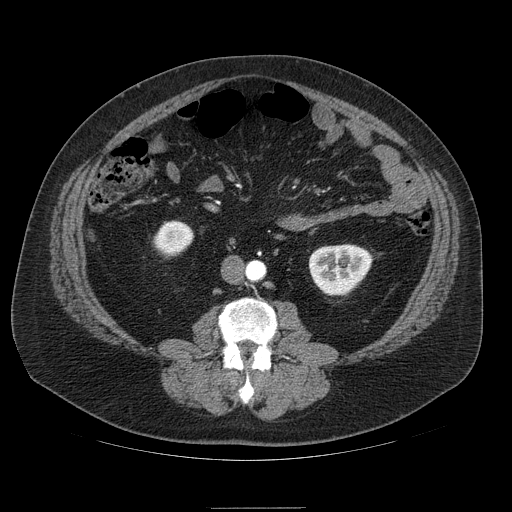
Abdominal CT with intravenous contrast, arterial phase, axial plane, 120 kVp, kernel STANDARD. Slice 29/121 from the bottom of the scan; thickness 2.50 mm; pixel size 0.861 mm.
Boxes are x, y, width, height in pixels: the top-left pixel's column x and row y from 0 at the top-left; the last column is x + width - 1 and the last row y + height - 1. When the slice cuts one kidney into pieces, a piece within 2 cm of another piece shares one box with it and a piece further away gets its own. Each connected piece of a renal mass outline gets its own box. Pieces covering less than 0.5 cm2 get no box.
Two boxes on this slice (two kidney boxes), listed by box centre from the image's left to its right. (1) Right kidney, box x 153, y 220, width 41, height 37 (outlined area 1,085 px, about 8.0 cm2). (2) Left kidney at x 309, y 244, width 64, height 52 (outlined area 2,555 px, about 19.0 cm2). No renal mass outline on this slice.